Abdominal CT with intravenous contrast, arterial phase, axial plane, 100 kVp, kernel I31f. Slice 74/195 from the bottom of the scan; thickness 1.50 mm; pixel size 0.707 mm.
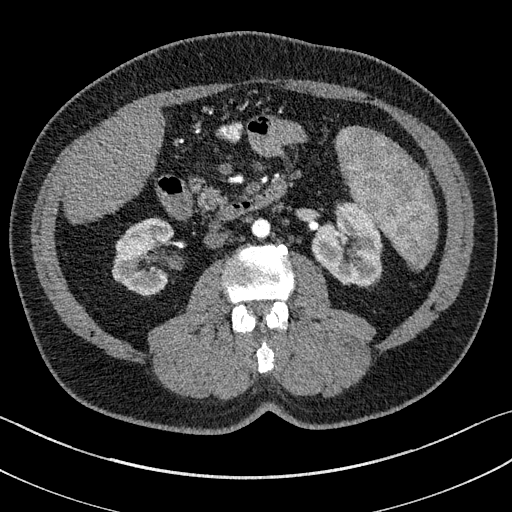
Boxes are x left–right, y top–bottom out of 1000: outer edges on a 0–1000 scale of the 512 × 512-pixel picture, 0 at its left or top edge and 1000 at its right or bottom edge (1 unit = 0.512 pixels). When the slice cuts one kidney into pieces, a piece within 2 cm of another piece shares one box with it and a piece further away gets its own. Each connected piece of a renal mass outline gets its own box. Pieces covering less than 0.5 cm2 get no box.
Two kidney boxes on this slice; by box centre, from the image's left to its right: (1) Right kidney, box x 219–340, y 426–578 out of 1000 (outlined area 3,362 px, about 16.8 cm2). (2) Left kidney at x 609–748, y 395–561 out of 1000 (outlined area 4,350 px, about 21.7 cm2). No renal mass is outlined on this slice.